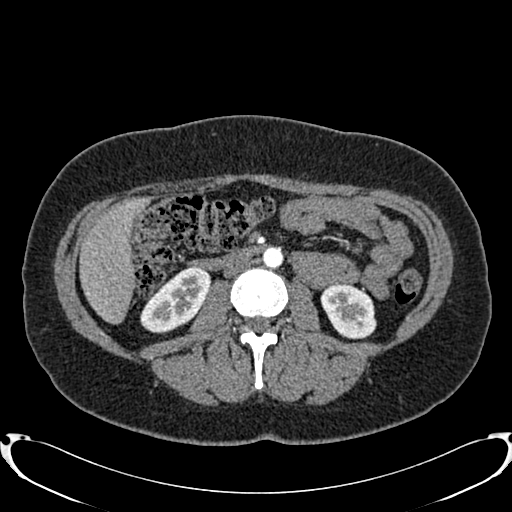
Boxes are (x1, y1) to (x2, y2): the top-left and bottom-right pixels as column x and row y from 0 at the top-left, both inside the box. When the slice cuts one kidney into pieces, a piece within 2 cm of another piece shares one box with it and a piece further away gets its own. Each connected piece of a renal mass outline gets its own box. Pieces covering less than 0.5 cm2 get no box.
This is axial slice 410 of 719 (slice 1 is the lowest) of an arterial-phase abdominal CT with contrast; each pixel is 0.766 mm and the slice is 1.00 mm thick. Boxed on this slice (two kidney boxes), listed by box centre from the image's left to its right: (1) Box (140, 266) to (210, 333): right kidney (outlined area 3,004 px, about 17.6 cm2). (2) Left kidney, box (320, 282) to (376, 338) (outlined area 2,402 px, about 14.1 cm2). This slice carries no renal mass outline.
Acquired at 120 kVp and reconstructed with the B20f kernel.